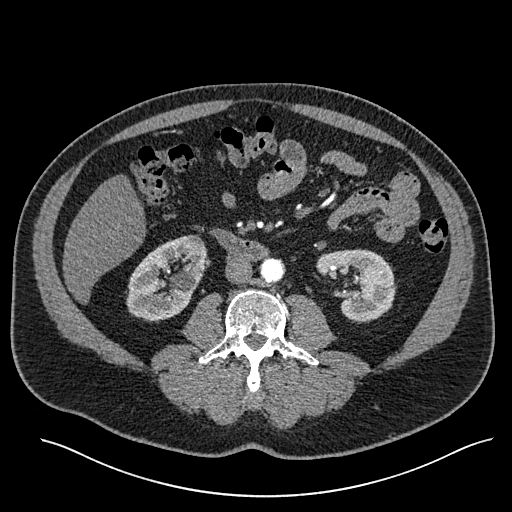
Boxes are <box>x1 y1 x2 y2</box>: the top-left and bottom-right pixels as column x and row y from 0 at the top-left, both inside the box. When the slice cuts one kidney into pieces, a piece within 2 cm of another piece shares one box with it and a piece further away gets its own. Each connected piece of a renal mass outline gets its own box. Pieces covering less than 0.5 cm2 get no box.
Slice 267/527 of a contrast-enhanced abdominal CT in the arterial phase, counting up from the lowest; pixel size 0.859 mm, slice thickness 1.00 mm. Boxed on this slice (two kidney boxes), listed by box centre from the image's left to its right: (1) Right kidney at <box>126 235 206 321</box> (outlined area 4,736 px, about 35.0 cm2). (2) Left kidney: <box>315 249 396 323</box> (outlined area 3,956 px, about 29.2 cm2). No renal mass outline on this slice.
Acquired at 120 kVp and reconstructed with the I30f kernel.